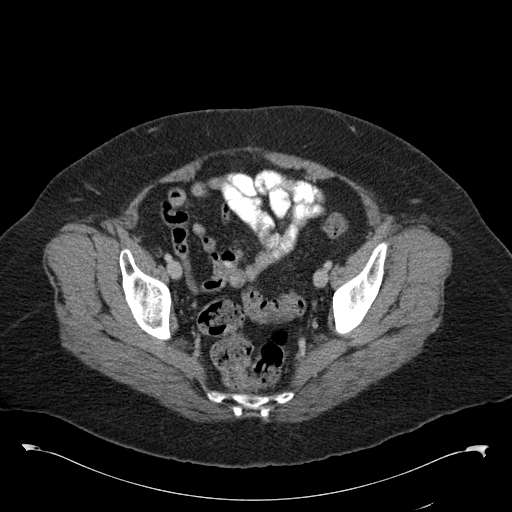
Arterial-phase contrast-enhanced abdominal CT, axial slice 24 of 97 (counted from the lowest slice); tube voltage 120 kVp, convolution kernel B30f; slices 5.00 mm thick, 0.824 mm per pixel.
No kidney and no renal mass is outlined on this slice; the outlines in this scan cover only the kidneys and the renal masses, so nothing is said about any other organ.